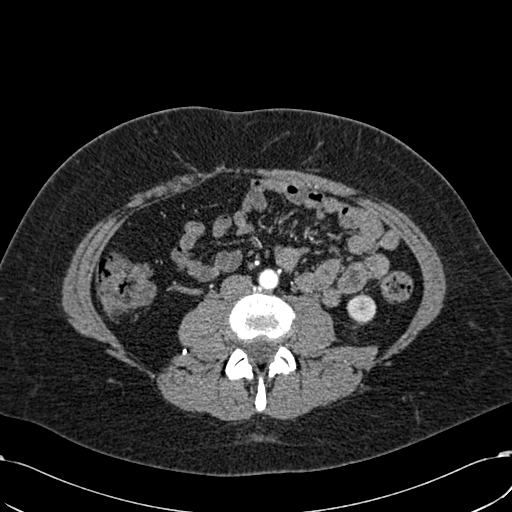
One axial slice (251 of 532, counting up from the lowest) of an arterial-phase abdominal CT acquired with 120 kVp, kernel B30f; each pixel is 0.713 mm and the slice is 1.00 mm thick.
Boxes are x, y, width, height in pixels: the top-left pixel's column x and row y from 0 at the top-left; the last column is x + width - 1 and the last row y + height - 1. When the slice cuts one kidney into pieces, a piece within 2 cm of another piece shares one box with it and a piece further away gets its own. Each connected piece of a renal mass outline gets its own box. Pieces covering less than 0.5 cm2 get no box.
Left kidney, box x 346, y 293, width 31, height 31 (outlined area 689 px, about 3.5 cm2).